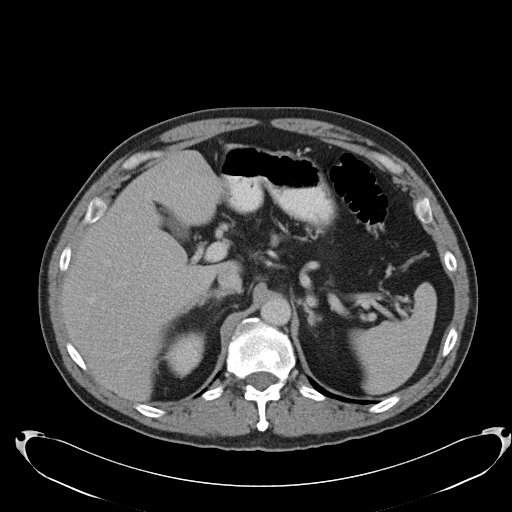
One axial slice (77 of 103, counting up from the lowest) of a contrast-enhanced abdominal CT acquired with 120 kVp, kernel B31f; each pixel is 0.801 mm and the slice is 5.00 mm thick.
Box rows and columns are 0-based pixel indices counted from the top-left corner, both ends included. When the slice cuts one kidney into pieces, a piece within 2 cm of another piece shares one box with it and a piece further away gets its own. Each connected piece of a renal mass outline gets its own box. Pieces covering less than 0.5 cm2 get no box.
Box rows 331–378, columns 164–204: right kidney (outlined area 1,385 px, about 8.9 cm2). No renal mass is outlined on this slice.